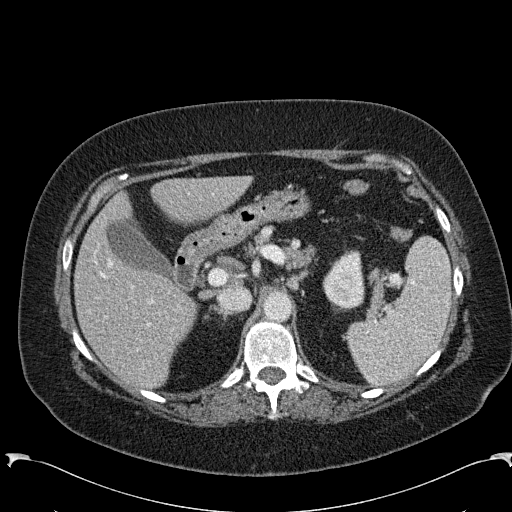
Axial slice 178 of 285 of a contrast-enhanced abdominal CT in the arterial phase (slice 1 is the lowest), 120 kVp, kernel B31f; 2.00 mm slice thickness and 0.762 mm pixels.
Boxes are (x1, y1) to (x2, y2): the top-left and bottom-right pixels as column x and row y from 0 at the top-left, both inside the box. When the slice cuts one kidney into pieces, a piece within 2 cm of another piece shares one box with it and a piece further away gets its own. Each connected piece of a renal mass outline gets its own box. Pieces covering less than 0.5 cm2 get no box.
Left kidney, box (322, 250) to (364, 310) (outlined area 1,954 px, about 11.3 cm2). This slice carries no renal mass outline.